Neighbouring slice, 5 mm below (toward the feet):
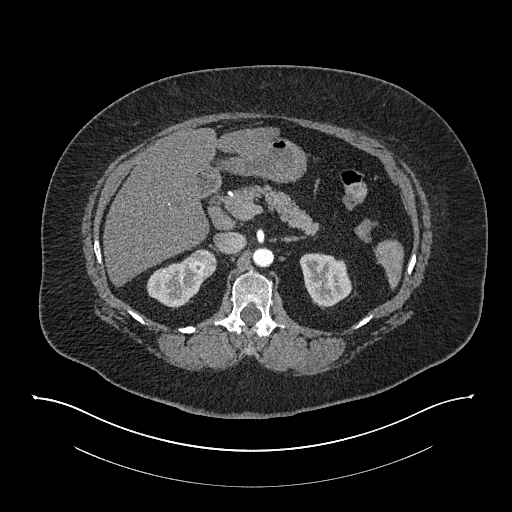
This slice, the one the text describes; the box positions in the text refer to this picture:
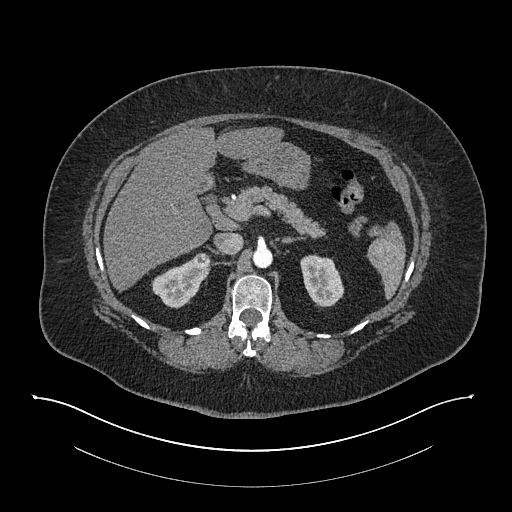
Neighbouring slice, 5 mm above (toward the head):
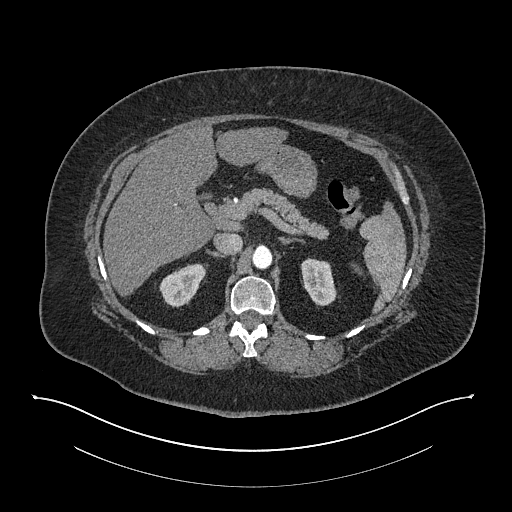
Axial slice 542 of 673 of a contrast-enhanced abdominal CT in the arterial phase (slice 1 is the lowest), 140 kVp, kernel I30f; 1.00 mm slice thickness and 0.957 mm pixels.
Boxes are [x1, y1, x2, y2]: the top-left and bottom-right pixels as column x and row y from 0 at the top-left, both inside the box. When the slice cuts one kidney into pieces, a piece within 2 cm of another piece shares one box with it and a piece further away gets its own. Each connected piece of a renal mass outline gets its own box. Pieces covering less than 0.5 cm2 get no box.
Three boxes on this slice (two kidney boxes and one renal mass box), listed by box centre from the image's left to its right. (1) Right kidney at [151, 258, 213, 308] (outlined area 1,715 px, about 15.7 cm2). (2) Box [192, 252, 210, 270]: right renal mass (outlined area 261 px, about 2.4 cm2). (3) Left kidney, box [300, 254, 344, 307] (outlined area 1,717 px, about 15.7 cm2). This slice is near the end of the right renal mass toward the head, so the slices 5 mm below and 5 mm above it are shown as well; the boxes refer to this slice only.